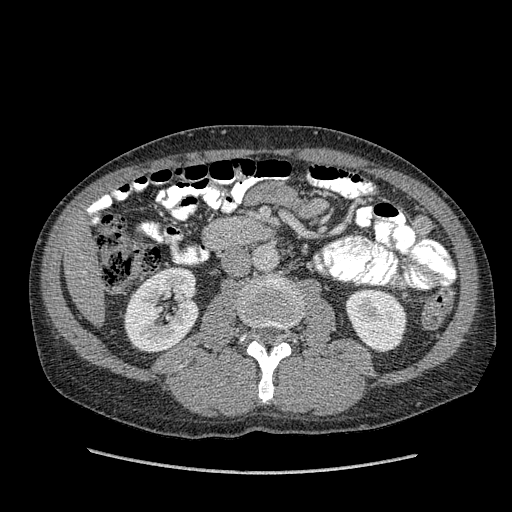
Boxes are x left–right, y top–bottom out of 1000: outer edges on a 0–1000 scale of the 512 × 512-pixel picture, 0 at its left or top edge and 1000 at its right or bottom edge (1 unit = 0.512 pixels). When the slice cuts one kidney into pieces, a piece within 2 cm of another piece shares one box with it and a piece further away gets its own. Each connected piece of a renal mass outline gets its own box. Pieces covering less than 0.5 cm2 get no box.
Arterial-phase contrast-enhanced abdominal CT, axial slice 185 of 349 (counted from the lowest slice); 1.25 mm thick, 0.742 mm per pixel. Two boxes on this slice (two kidney boxes), listed by box centre from the image's left to its right. (1) Right kidney, box x 240–391, y 518–689 out of 1000 (outlined area 4,968 px, about 27.4 cm2). (2) Box x 674–795, y 563–689 out of 1000: left kidney (outlined area 3,063 px, about 16.9 cm2). This slice carries no renal mass outline.
Acquired at 120 kVp and reconstructed with the STANDARD kernel.